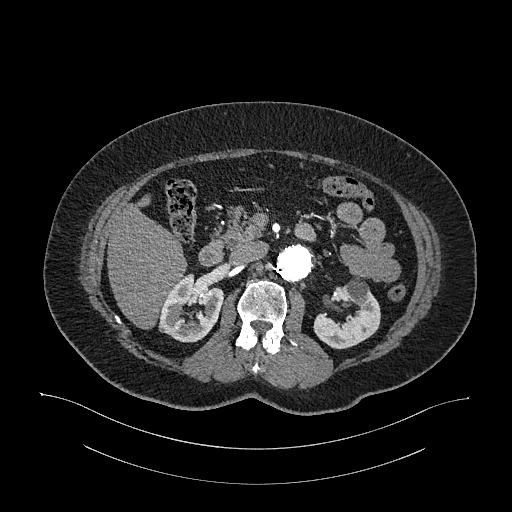
Arterial-phase contrast-enhanced abdominal CT, axial slice 669 of 987 (counted from the lowest slice); tube voltage 120 kVp, convolution kernel I26f; slices 1.00 mm thick, 0.977 mm per pixel.
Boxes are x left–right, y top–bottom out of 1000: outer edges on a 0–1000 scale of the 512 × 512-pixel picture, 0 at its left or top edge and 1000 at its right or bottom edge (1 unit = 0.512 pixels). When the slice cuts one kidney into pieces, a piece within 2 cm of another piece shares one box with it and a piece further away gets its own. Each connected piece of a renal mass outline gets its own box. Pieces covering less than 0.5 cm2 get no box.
Boxed on this slice (two kidney boxes), listed by box centre from the image's left to its right: (1) Right kidney, box x 309–436, y 533–670 out of 1000 (outlined area 3,101 px, about 29.6 cm2). (2) Left kidney at x 611–744, y 537–684 out of 1000 (outlined area 3,063 px, about 29.2 cm2). No renal mass outline on this slice.